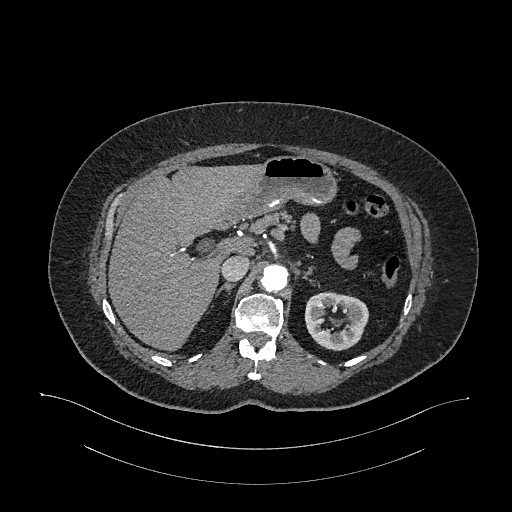
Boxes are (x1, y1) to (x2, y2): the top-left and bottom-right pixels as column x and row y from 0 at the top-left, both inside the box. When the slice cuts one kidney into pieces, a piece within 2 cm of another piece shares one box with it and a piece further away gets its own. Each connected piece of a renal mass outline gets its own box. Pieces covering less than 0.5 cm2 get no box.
This is axial slice 748 of 987 (slice 1 is the lowest) of an arterial-phase abdominal CT with contrast; each pixel is 0.977 mm and the slice is 1.00 mm thick. Left kidney from (304, 291) to (368, 350) (outlined area 2,741 px, about 26.1 cm2). No renal mass is outlined on this slice.
Tube voltage 120 kVp; convolution kernel I26f.